Axial slice 305 of 581 of a contrast-enhanced abdominal CT in the arterial phase (slice 1 is the lowest), 120 kVp, kernel B30f; 1.00 mm slice thickness and 0.713 mm pixels.
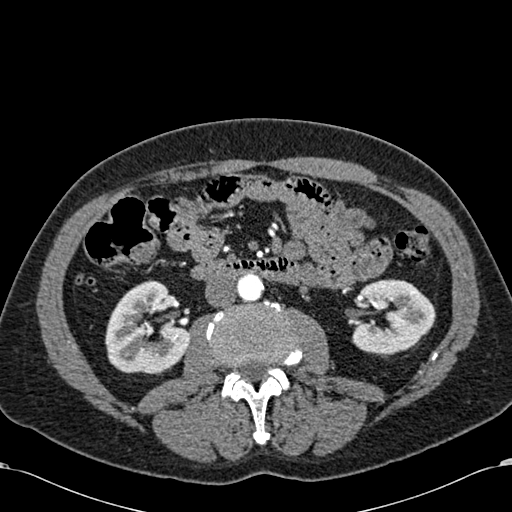
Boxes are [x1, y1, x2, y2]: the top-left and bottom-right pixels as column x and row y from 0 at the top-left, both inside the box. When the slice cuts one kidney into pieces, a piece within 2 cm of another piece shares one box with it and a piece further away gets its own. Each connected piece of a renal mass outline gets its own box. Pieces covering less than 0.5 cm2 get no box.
Two boxes on this slice (two kidney boxes), listed by box centre from the image's left to its right. (1) Box [105, 280, 189, 374]: right kidney (outlined area 5,761 px, about 29.3 cm2). (2) Left kidney at [352, 279, 435, 355] (outlined area 4,751 px, about 24.1 cm2). This slice carries no renal mass outline.